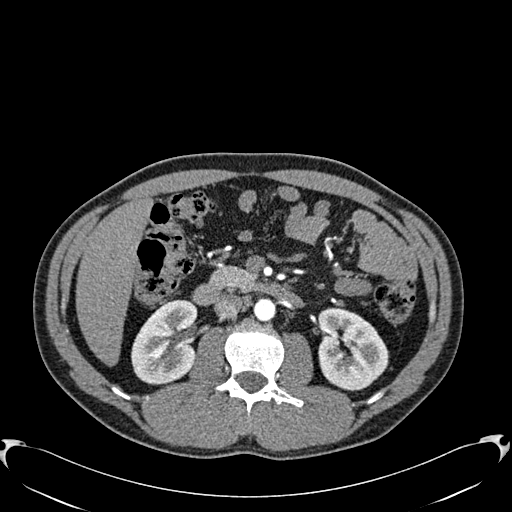
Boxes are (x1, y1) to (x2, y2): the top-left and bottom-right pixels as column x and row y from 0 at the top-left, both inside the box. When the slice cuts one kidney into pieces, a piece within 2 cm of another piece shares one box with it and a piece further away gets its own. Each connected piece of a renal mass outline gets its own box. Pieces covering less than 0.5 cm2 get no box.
Arterial-phase contrast-enhanced abdominal CT, axial slice 341 of 512 (counted from the lowest slice); 1.00 mm thick, 0.771 mm per pixel. Boxed on this slice (two kidney boxes), listed by box centre from the image's left to its right: (1) Box (131, 299) to (197, 384): right kidney (outlined area 4,337 px, about 25.8 cm2). (2) Left kidney from (317, 307) to (388, 391) (outlined area 4,524 px, about 26.9 cm2). This slice carries no renal mass outline.
Tube voltage 120 kVp; convolution kernel B30f.